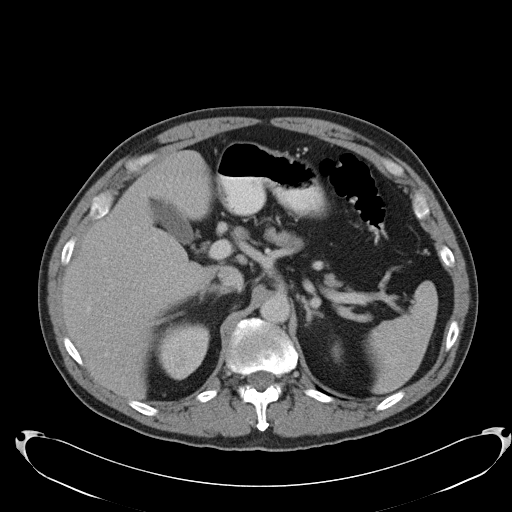
One axial slice (76 of 103, counting up from the lowest) of a contrast-enhanced abdominal CT acquired with 120 kVp, kernel B31f; each pixel is 0.801 mm and the slice is 5.00 mm thick.
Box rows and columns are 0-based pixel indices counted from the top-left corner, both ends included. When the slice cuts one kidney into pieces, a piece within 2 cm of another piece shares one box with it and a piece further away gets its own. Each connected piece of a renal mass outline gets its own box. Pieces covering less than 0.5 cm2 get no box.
Two boxes on this slice (two kidney boxes), listed by box centre from the image's left to its right. (1) Box rows 321–380, columns 153–209: right kidney (outlined area 2,413 px, about 15.5 cm2). (2) Left kidney, box rows 343–361, columns 332–341 (outlined area 127 px, about 0.8 cm2). This slice carries no renal mass outline.